Abdominal CT with intravenous contrast, arterial phase, axial plane, 120 kVp, kernel I30f. Slice 532/612 from the bottom of the scan; thickness 1.00 mm; pixel size 0.703 mm.
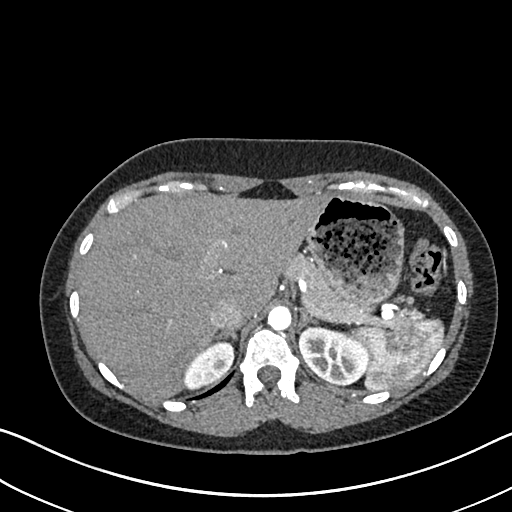
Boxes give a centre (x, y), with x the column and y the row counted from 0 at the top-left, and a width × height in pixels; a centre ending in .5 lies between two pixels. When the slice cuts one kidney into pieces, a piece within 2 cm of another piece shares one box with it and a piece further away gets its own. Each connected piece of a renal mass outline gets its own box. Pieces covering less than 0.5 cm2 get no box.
Two kidney boxes on this slice; by box centre, from the image's left to its right: (1) Right kidney in a box with centre (208, 365), 53 × 51 pixels (outlined area 1,616 px, about 8.0 cm2). (2) Box centre (333.5, 354), 70 × 61 pixels: left kidney (outlined area 3,099 px, about 15.3 cm2). No renal mass outline on this slice.